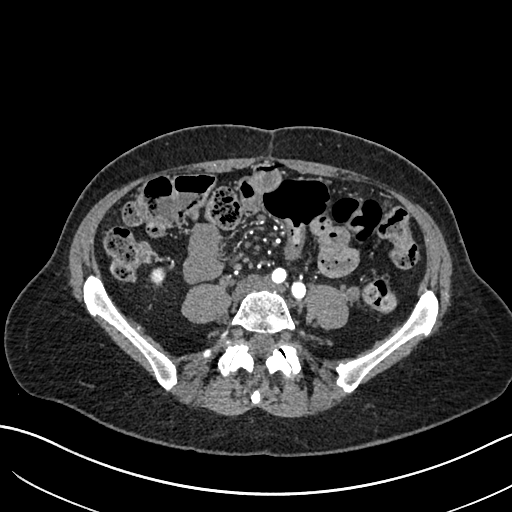
Abdominal CT with intravenous contrast, arterial phase, axial plane, 120 kVp, kernel I30f. Slice 239/683 from the bottom of the scan; thickness 1.00 mm; pixel size 0.738 mm.
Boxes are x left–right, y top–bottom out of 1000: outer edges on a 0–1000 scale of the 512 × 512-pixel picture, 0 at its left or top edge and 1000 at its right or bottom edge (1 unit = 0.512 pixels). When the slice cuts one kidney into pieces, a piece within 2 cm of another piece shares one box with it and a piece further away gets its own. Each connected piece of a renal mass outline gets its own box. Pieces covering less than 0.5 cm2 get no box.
Box x 293–324, y 521–557 out of 1000: right kidney (outlined area 218 px, about 1.2 cm2). This slice carries no renal mass outline.